Abdominal CT with intravenous contrast, arterial phase, axial plane, 120 kVp, kernel B31f. Slice 140/326 from the bottom of the scan; thickness 2.00 mm; pixel size 0.963 mm.
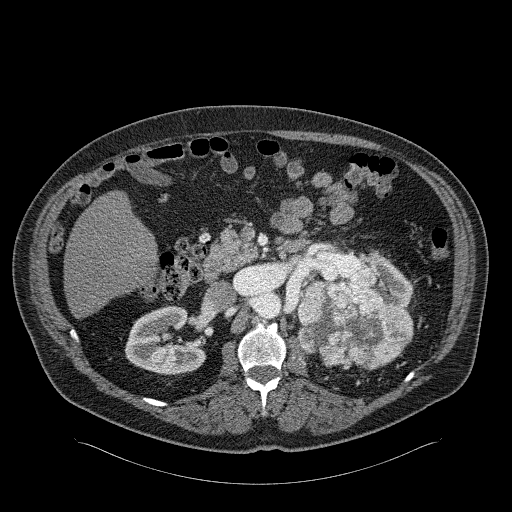
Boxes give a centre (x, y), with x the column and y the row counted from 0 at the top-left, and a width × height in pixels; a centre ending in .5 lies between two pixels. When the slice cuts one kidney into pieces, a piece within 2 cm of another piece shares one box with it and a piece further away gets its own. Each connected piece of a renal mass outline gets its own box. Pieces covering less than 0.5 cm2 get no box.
Two kidney boxes and one renal mass box on this slice; by box centre, from the image's left to its right: (1) Right kidney in a box with centre (165, 340), 81 × 71 pixels (outlined area 3,959 px, about 36.7 cm2). (2) Left renal mass, box centre (355, 318.5), 117 × 102 pixels (outlined area 8,423 px, about 78.1 cm2). (3) Box centre (362, 280), 103 × 59 pixels: left kidney (outlined area 2,108 px, about 19.5 cm2).